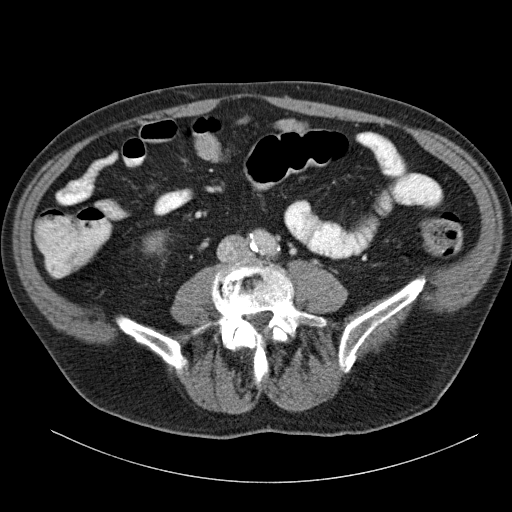
One axial slice (54 of 140, counting up from the lowest) of an arterial-phase abdominal CT acquired with 120 kVp, kernel B31f; each pixel is 0.754 mm and the slice is 5.00 mm thick.
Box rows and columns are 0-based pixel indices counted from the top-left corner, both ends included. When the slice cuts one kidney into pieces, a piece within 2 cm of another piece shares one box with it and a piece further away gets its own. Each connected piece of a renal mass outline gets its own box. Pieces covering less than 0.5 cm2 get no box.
Box rows 230–253, columns 143–167: right kidney (outlined area 455 px, about 2.6 cm2). This slice carries no renal mass outline.